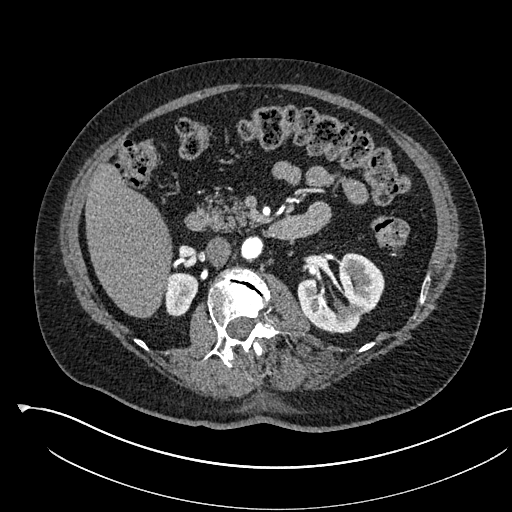
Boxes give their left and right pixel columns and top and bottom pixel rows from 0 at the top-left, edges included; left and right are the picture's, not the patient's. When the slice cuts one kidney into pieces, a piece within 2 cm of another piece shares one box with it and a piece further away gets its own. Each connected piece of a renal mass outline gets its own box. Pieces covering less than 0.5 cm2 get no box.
Slice 329/541 of a contrast-enhanced abdominal CT in the arterial phase, counting up from the lowest; pixel size 0.834 mm, slice thickness 1.00 mm. Two boxes on this slice (two kidney boxes), listed by box centre from the image's left to its right. (1) Box with left 165, top 272, right 198, bottom 316: right kidney (outlined area 1,178 px, about 8.2 cm2). (2) Left kidney, the box with left 297, top 252, right 384, bottom 333 (outlined area 4,692 px, about 32.6 cm2). No renal mass is outlined on this slice.
Tube voltage 120 kVp; convolution kernel I30f.